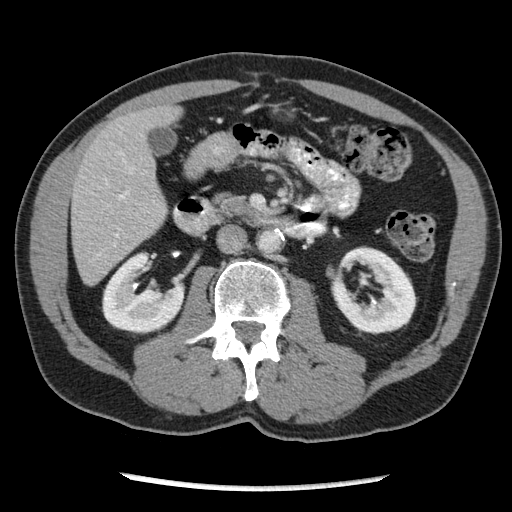
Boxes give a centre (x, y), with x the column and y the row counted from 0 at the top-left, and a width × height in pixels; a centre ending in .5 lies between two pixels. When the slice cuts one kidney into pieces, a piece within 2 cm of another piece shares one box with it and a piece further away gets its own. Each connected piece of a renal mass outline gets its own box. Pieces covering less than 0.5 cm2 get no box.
This is axial slice 117 of 262 (slice 1 is the lowest) of an arterial-phase abdominal CT with contrast; each pixel is 0.703 mm and the slice is 2.50 mm thick. Two kidney boxes on this slice; by box centre, from the image's left to its right: (1) Box centre (142.5, 293), 84 × 81 pixels: right kidney (outlined area 4,329 px, about 21.4 cm2). (2) Box centre (373.5, 290), 88 × 89 pixels: left kidney (outlined area 5,206 px, about 25.7 cm2).
Scan settings: 120 kVp, STANDARD reconstruction kernel.